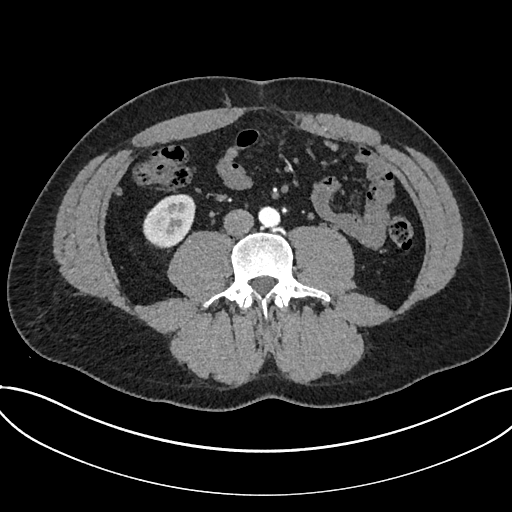
One axial slice (285 of 735, counting up from the lowest) of an arterial-phase abdominal CT acquired with 120 kVp, kernel I30f; each pixel is 0.789 mm and the slice is 1.00 mm thick.
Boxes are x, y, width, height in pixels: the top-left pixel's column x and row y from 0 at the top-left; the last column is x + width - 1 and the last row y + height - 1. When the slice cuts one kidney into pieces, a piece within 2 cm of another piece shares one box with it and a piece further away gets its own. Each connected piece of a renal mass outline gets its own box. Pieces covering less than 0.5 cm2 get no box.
Kidney at x 143, y 194, width 53, height 55 (outlined area 2,172 px, about 13.5 cm2). No renal mass is outlined on this slice.